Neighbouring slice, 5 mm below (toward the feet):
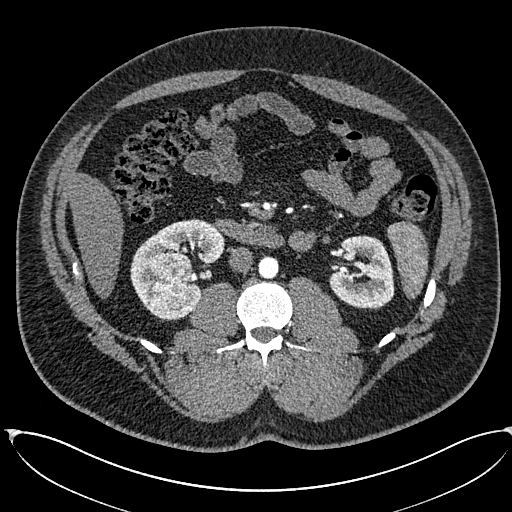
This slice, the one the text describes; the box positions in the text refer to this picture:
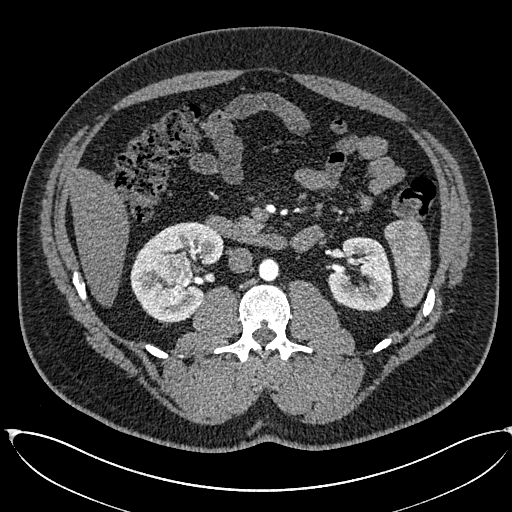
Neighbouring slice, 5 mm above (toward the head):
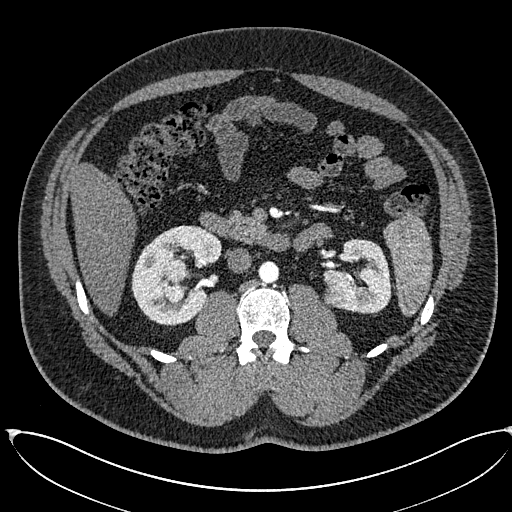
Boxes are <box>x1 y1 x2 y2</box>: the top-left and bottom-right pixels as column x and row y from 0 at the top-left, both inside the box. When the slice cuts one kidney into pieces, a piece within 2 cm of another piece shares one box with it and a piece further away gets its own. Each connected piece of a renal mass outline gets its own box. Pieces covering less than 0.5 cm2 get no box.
This is axial slice 329 of 673 (slice 1 is the lowest) of an arterial-phase abdominal CT with contrast; each pixel is 0.855 mm and the slice is 1.00 mm thick. Two kidney boxes and two renal mass boxes on this slice; by box centre, from the image's left to its right: (1) At <box>155 253 192 305</box>: right renal mass (outlined area 1,592 px, about 11.7 cm2). (2) At <box>130 222 223 322</box>: right kidney (outlined area 5,138 px, about 37.6 cm2). (3) Left renal mass at <box>332 292 344 304</box> (outlined area 117 px, about 0.9 cm2). (4) At <box>327 237 393 311</box>: left kidney (outlined area 3,606 px, about 26.4 cm2). This slice lies near the end of the left renal mass toward the feet; the slices 5 mm below and 5 mm above it are shown too, and the boxes mark positions on this slice only.
Scan settings: 120 kVp, I30f reconstruction kernel.